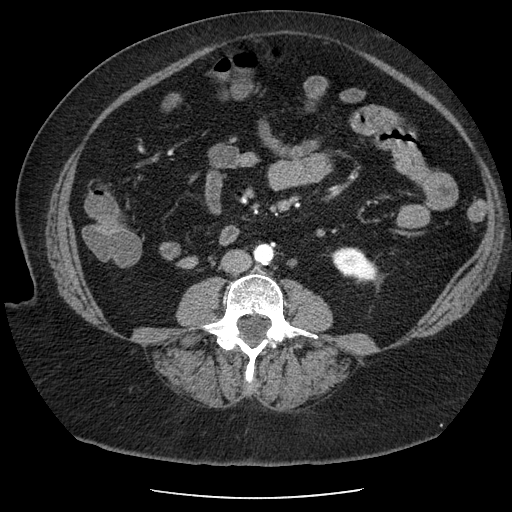
One axial slice (98 of 186, counting up from the lowest) of an arterial-phase abdominal CT acquired with 120 kVp, kernel STANDARD; each pixel is 0.742 mm and the slice is 2.50 mm thick.
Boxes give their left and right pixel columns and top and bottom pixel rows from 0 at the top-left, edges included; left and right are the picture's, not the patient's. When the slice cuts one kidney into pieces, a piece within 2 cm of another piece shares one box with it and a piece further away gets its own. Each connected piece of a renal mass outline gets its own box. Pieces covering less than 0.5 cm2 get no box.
Left kidney, the box with left 330, top 247, right 380, bottom 283 (outlined area 1,225 px, about 6.7 cm2). This slice carries no renal mass outline.